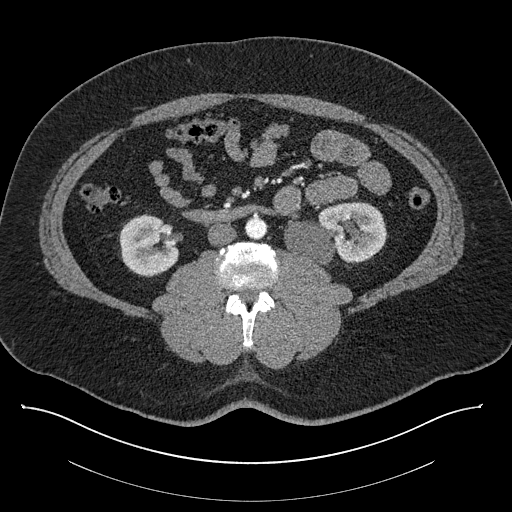
Contrast-enhanced abdominal CT, axial slice 422 of 787 (counted from the lowest slice); tube voltage 140 kVp, convolution kernel I30f; slices 1.00 mm thick, 0.910 mm per pixel.
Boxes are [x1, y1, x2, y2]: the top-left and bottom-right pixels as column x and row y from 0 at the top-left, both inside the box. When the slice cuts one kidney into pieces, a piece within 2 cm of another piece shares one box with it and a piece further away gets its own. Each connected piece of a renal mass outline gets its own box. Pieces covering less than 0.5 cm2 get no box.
Boxed on this slice (two kidney boxes), listed by box centre from the image's left to its right: (1) Right kidney at [119, 214, 178, 276] (outlined area 2,853 px, about 23.6 cm2). (2) Left kidney at [284, 201, 386, 265] (outlined area 4,788 px, about 39.7 cm2). This slice carries no renal mass outline.